Contrast-enhanced abdominal CT, axial slice 55 of 107 (counted from the lowest slice); tube voltage 120 kVp, convolution kernel B31f; slices 5.00 mm thick, 0.941 mm per pixel.
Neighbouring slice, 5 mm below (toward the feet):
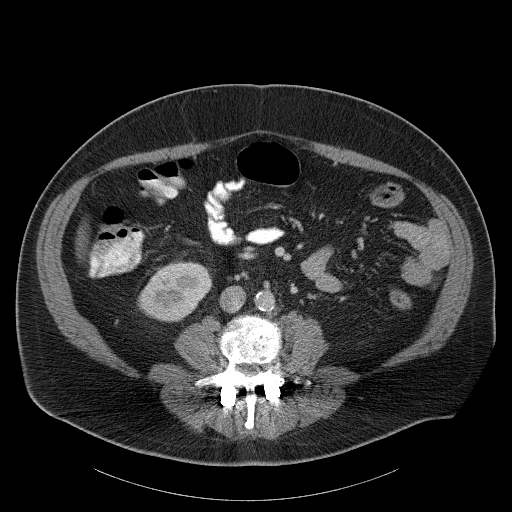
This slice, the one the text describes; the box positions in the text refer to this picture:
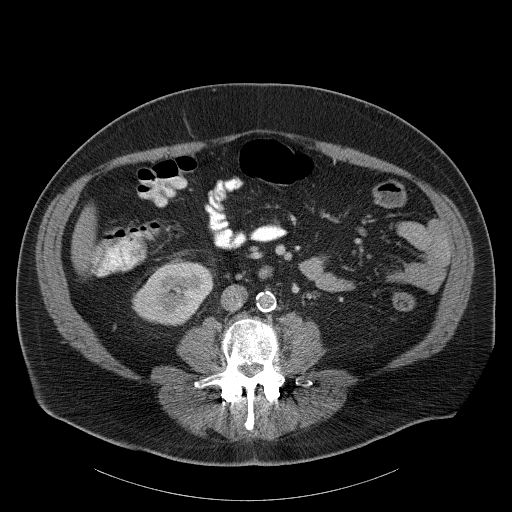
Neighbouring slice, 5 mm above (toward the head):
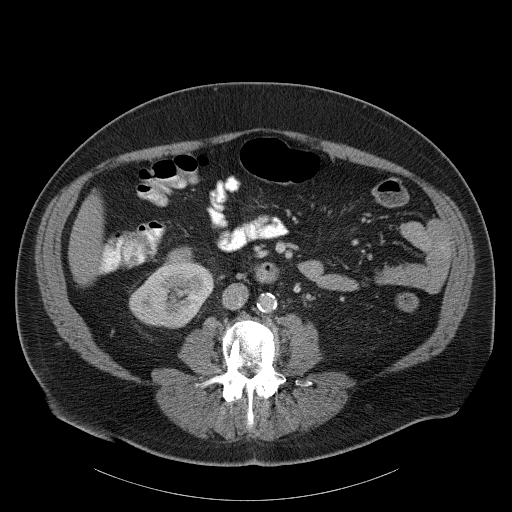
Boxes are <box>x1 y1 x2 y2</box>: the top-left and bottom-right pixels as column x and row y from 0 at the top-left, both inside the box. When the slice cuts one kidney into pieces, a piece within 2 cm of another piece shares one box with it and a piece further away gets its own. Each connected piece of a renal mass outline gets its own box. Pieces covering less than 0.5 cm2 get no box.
Boxed on this slice (one kidney box and one renal mass box), listed by box centre from the image's left to its right: (1) Right kidney: <box>131 261 213 326</box> (outlined area 3,763 px, about 33.3 cm2). (2) Right renal mass: <box>168 258 186 265</box> (outlined area 110 px, about 1.0 cm2). This slice lies near the end of the right renal mass toward the feet; the slices 5 mm below and 5 mm above it are shown too, and the boxes mark positions on this slice only.